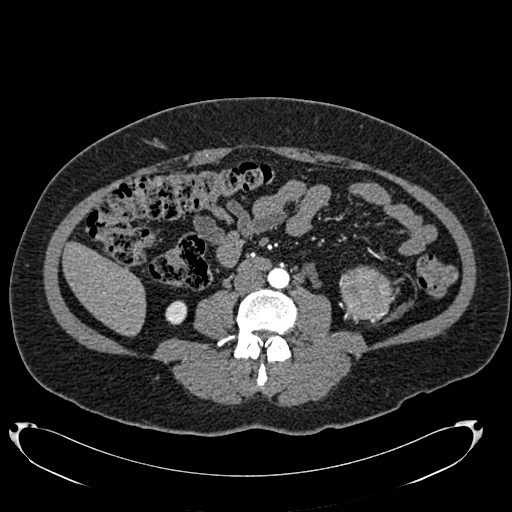
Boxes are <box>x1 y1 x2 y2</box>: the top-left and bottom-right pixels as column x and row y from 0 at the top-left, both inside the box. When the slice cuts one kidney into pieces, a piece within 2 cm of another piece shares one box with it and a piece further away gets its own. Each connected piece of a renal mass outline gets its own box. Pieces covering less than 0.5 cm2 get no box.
Arterial-phase contrast-enhanced abdominal CT, axial slice 319 of 634 (counted from the lowest slice); 1.00 mm thick, 0.838 mm per pixel. Two boxes on this slice (one kidney box and one renal mass box), listed by box centre from the image's left to its right. (1) Right kidney: <box>165 300 187 324</box> (outlined area 429 px, about 3.0 cm2). (2) At <box>339 265 393 320</box>: left renal mass (outlined area 2,329 px, about 16.4 cm2); on this slice it lies more than 1 cm from any kidney outline, but the same outlined renal mass comes within 1 cm of the kidney on another slice.
Scan settings: 120 kVp, B20f reconstruction kernel.